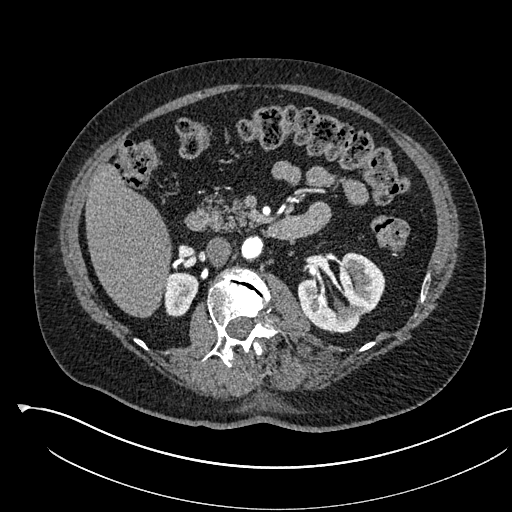
Axial slice 328 of 541 of a contrast-enhanced abdominal CT in the arterial phase (slice 1 is the lowest), 120 kVp, kernel I30f; 1.00 mm slice thickness and 0.834 mm pixels.
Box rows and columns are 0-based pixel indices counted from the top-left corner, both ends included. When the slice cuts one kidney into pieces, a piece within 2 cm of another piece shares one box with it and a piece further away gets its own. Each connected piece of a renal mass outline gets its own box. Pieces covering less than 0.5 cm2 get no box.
Two boxes on this slice (two kidney boxes), listed by box centre from the image's left to its right. (1) Right kidney, box rows 272–316, columns 164–198 (outlined area 1,237 px, about 8.6 cm2). (2) Left kidney, box rows 252–333, columns 297–385 (outlined area 4,702 px, about 32.7 cm2). No renal mass outline on this slice.